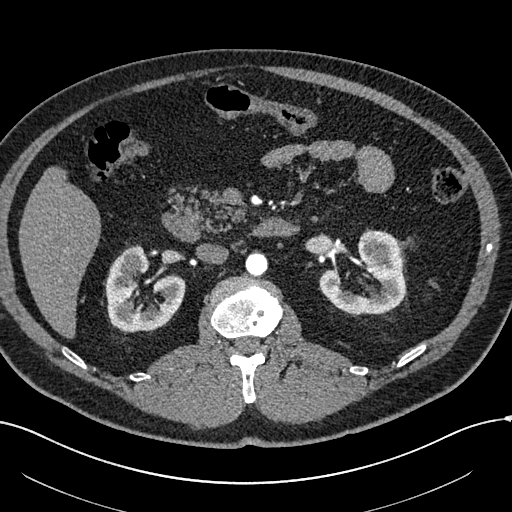
Axial slice 349 of 602 of a contrast-enhanced abdominal CT in the arterial phase (slice 1 is the lowest), 120 kVp, kernel I30f; 1.00 mm slice thickness and 0.799 mm pixels.
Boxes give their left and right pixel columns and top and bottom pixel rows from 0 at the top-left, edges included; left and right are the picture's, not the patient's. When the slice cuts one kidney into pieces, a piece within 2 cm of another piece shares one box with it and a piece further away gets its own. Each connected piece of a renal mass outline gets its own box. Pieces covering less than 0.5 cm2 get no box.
Three boxes on this slice (two kidney boxes and one renal mass box), listed by box centre from the image's left to its right. (1) Box with left 120, top 253, right 140, bottom 276: right renal mass (outlined area 410 px, about 2.6 cm2). (2) Right kidney in the box with left 105, top 244, right 184, bottom 332 (outlined area 4,140 px, about 26.4 cm2). (3) Left kidney in the box with left 319, top 230, right 406, bottom 314 (outlined area 4,615 px, about 29.4 cm2).